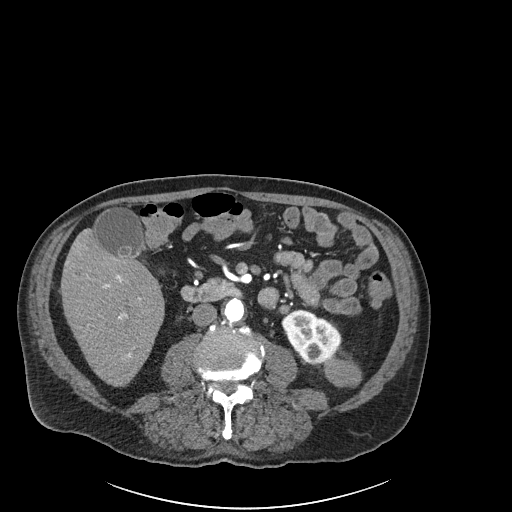
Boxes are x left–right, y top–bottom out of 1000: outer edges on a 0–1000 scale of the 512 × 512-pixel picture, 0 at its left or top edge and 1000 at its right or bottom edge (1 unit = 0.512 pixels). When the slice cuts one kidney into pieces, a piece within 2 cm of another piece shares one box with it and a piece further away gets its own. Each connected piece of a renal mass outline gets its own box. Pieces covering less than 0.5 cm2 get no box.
This is axial slice 74 of 261 (slice 1 is the lowest) of an arterial-phase abdominal CT with contrast; each pixel is 0.939 mm and the slice is 2.00 mm thick. Boxed on this slice (one kidney box and one renal mass box), listed by box centre from the image's left to its right: (1) Box x 549–666, y 604–713 out of 1000: left kidney (outlined area 2,247 px, about 19.8 cm2). (2) Left renal mass, box x 633–707, y 699–758 out of 1000 (outlined area 888 px, about 7.8 cm2).
Acquired at 120 kVp and reconstructed with the I30f kernel.